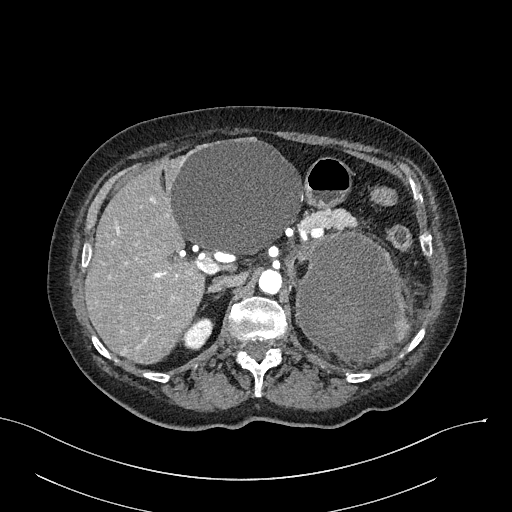
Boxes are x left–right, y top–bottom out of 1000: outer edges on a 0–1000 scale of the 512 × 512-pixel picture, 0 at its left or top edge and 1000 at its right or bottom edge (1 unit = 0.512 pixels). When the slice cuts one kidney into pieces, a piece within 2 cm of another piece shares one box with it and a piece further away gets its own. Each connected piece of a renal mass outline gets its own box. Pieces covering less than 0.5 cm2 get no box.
Arterial-phase contrast-enhanced abdominal CT, axial slice 182 of 316 (counted from the lowest slice); 2.00 mm thick, 0.840 mm per pixel. Two boxes on this slice (one kidney box and one renal mass box), listed by box centre from the image's left to its right. (1) Right kidney at x 354–420, y 619–686 out of 1000 (outlined area 734 px, about 5.2 cm2). (2) Box x 576–807, y 449–713 out of 1000: left renal mass (outlined area 11,876 px, about 83.8 cm2); here it is more than 1 cm from any kidney outline, though on another slice the same outlined renal mass lies within 1 cm of the kidney.
Acquired at 100 kVp and reconstructed with the I40f kernel.